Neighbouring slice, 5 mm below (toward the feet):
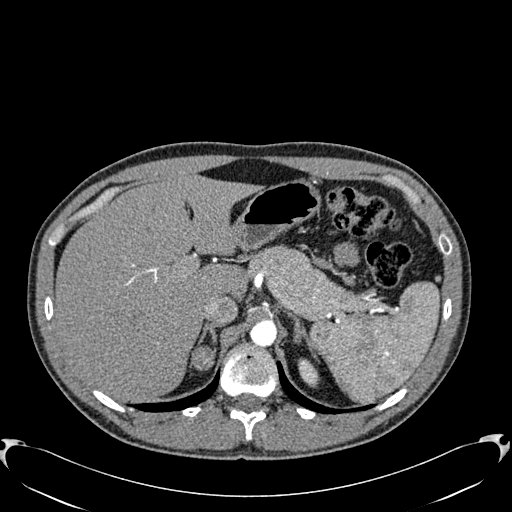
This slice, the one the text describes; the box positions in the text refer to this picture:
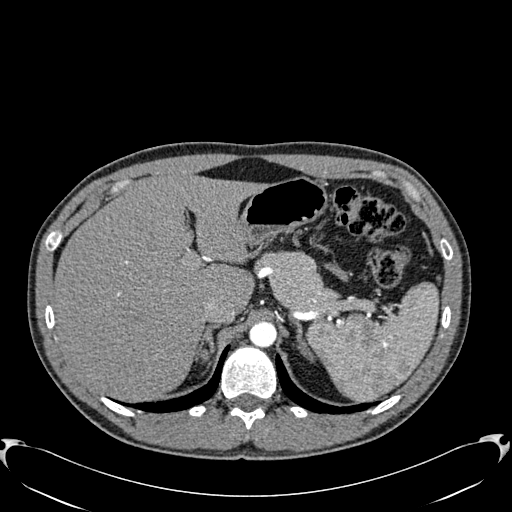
Arterial-phase contrast-enhanced abdominal CT, axial slice 468 of 512 (counted from the lowest slice); tube voltage 120 kVp, convolution kernel B30f; slices 1.00 mm thick, 0.771 mm per pixel.
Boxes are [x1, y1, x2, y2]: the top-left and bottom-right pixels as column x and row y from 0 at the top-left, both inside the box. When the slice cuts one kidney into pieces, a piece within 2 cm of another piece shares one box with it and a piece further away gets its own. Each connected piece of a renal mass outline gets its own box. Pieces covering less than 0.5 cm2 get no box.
Right renal mass at [200, 349, 210, 360] (outlined area 104 px, about 0.6 cm2); no kidney is outlined on this slice, but the same outlined renal mass comes within 1 cm of the kidney on another slice. This slice lies near the end of the right renal mass toward the head; the slice 5 mm below it is shown too, and the boxes mark positions on this slice only.